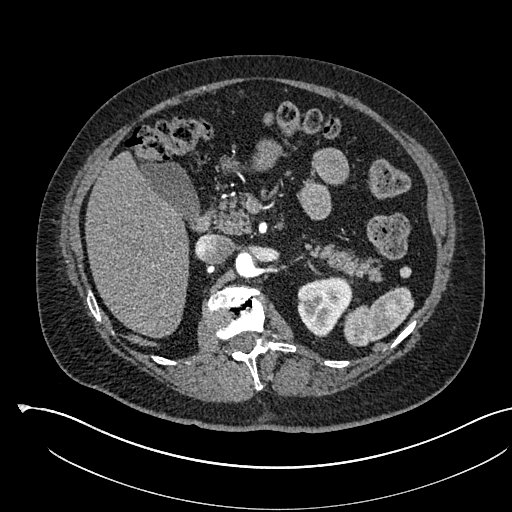
Abdominal CT with intravenous contrast, arterial phase, axial plane, 120 kVp, kernel I30f. Slice 368/541 from the bottom of the scan; thickness 1.00 mm; pixel size 0.834 mm.
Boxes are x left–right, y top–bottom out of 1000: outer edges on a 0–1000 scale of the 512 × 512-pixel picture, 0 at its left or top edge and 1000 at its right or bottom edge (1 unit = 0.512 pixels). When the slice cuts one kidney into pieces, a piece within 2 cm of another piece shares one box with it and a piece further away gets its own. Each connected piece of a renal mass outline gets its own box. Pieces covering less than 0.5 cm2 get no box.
Box x 580–689, y 541–660 out of 1000: left kidney (outlined area 2,438 px, about 17.0 cm2). This slice carries no renal mass outline.